Abdominal CT with intravenous contrast, axial plane, 120 kVp, kernel I40f. Slice 67/102 from the bottom of the scan; thickness 5.00 mm; pixel size 0.977 mm.
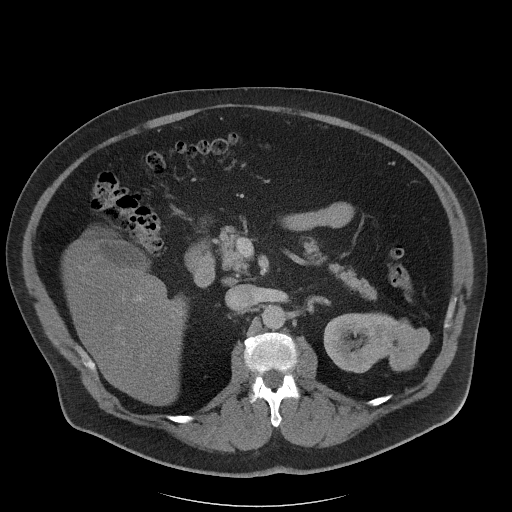
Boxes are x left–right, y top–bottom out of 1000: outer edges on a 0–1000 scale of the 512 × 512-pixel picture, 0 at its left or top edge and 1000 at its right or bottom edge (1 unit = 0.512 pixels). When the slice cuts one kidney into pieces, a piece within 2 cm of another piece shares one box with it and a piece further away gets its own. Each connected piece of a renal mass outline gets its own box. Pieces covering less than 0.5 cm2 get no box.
Boxed on this slice (one kidney box and one renal mass box), listed by box centre from the image's left to its right: (1) Left kidney at x 631–779, y 611–729 out of 1000 (outlined area 3,146 px, about 30.0 cm2). (2) Left renal mass at x 742–840, y 621–725 out of 1000 (outlined area 1,693 px, about 16.1 cm2).